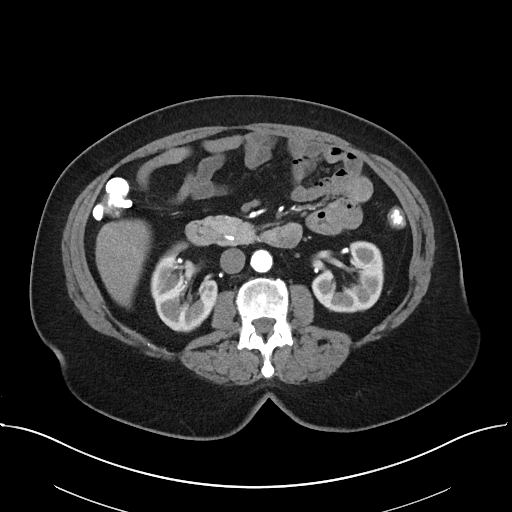
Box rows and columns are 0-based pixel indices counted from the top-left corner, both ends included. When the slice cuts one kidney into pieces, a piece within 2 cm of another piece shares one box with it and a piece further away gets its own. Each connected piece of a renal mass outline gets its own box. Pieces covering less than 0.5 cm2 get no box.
Slice 17/38 of a contrast-enhanced abdominal CT in the arterial phase, counting up from the lowest; pixel size 0.822 mm, slice thickness 5.00 mm. Two kidney boxes on this slice; by box centre, from the image's left to its right: (1) Right kidney, box rows 256–332, columns 150–217 (outlined area 3,569 px, about 24.1 cm2). (2) Left kidney, box rows 241–312, columns 311–382 (outlined area 3,428 px, about 23.2 cm2). This slice carries no renal mass outline.
Acquired at 100 kVp and reconstructed with the I40f kernel.